One axial slice (349 of 683, counting up from the lowest) of an arterial-phase abdominal CT acquired with 120 kVp, kernel I30f; each pixel is 0.738 mm and the slice is 1.00 mm thick.
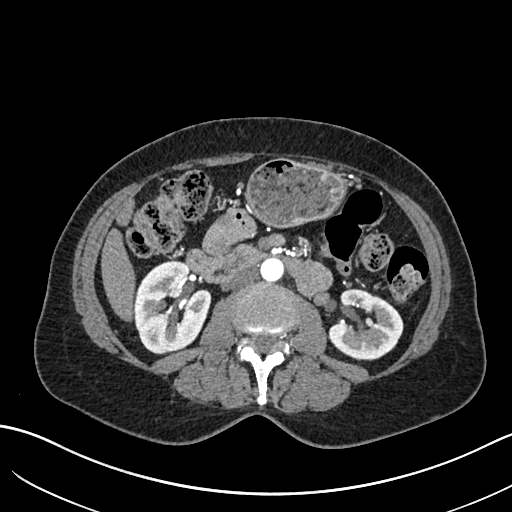
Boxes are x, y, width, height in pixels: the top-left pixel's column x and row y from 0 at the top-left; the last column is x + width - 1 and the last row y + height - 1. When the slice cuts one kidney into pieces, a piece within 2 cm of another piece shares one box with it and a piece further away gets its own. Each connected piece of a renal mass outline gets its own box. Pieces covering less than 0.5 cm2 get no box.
Two kidney boxes on this slice; by box centre, from the image's left to its right: (1) Right kidney at x 133, y 260, width 79, height 94 (outlined area 5,463 px, about 29.8 cm2). (2) Left kidney at x 328, y 288, width 76, height 73 (outlined area 3,794 px, about 20.7 cm2). No renal mass is outlined on this slice.